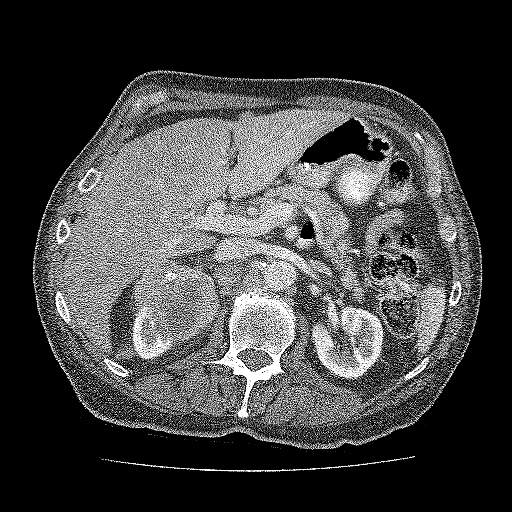
Axial slice 106 of 137 of a contrast-enhanced abdominal CT (slice 1 is the lowest), 120 kVp, kernel FC52; 3.00 mm slice thickness and 0.741 mm pixels.
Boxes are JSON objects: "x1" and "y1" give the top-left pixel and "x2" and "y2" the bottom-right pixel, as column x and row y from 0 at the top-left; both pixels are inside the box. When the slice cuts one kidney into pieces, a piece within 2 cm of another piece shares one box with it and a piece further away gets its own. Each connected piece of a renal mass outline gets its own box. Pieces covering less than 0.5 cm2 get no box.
Two kidney boxes and one renal mass box on this slice; by box centre, from the image's left to its right: (1) Box {"x1": 131, "y1": 309, "x2": 177, "y2": 360}: kidney (outlined area 1,213 px, about 6.7 cm2). (2) Renal mass, box {"x1": 132, "y1": 260, "x2": 222, "y2": 345} (outlined area 5,479 px, about 30.1 cm2). (3) Box {"x1": 311, "y1": 306, "x2": 383, "y2": 379}: kidney (outlined area 3,944 px, about 21.7 cm2).